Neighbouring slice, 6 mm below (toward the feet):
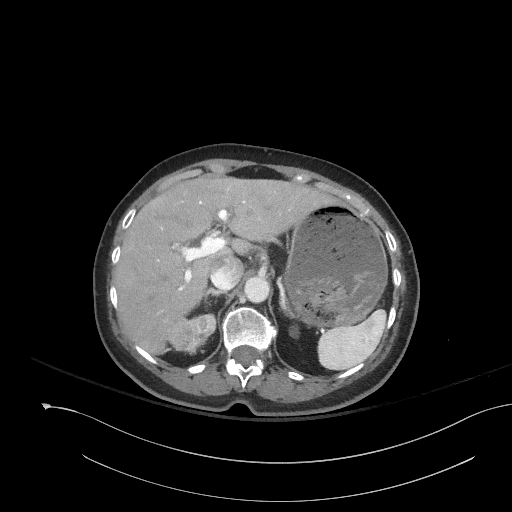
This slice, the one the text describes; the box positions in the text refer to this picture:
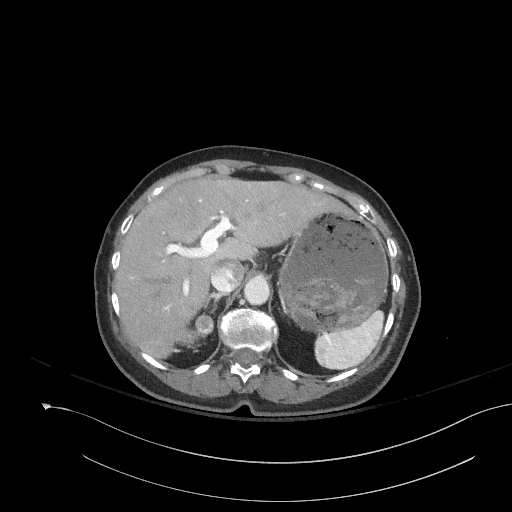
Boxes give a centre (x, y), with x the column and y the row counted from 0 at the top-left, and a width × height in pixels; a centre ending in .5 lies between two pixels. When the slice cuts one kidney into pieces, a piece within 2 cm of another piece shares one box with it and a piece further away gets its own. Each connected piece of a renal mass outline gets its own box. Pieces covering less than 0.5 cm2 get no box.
Slice 120/153 of a contrast-enhanced abdominal CT, counting up from the lowest; pixel size 0.893 mm, slice thickness 3.00 mm. Right renal mass in a box with centre (193.5, 331), 38 × 31 pixels (outlined area 684 px, about 5.4 cm2); no kidney outline appears on this slice, but the same outlined renal mass comes within 1 cm of the kidney on another slice. This slice lies near the end of the right renal mass toward the head; the slice 6 mm below it is shown too, and the boxes mark positions on this slice only.
Acquired at 120 kVp and reconstructed with the I41f kernel.